Contrast-enhanced abdominal CT, axial slice 361 of 787 (counted from the lowest slice); tube voltage 140 kVp, convolution kernel I30f; slices 1.00 mm thick, 0.910 mm per pixel.
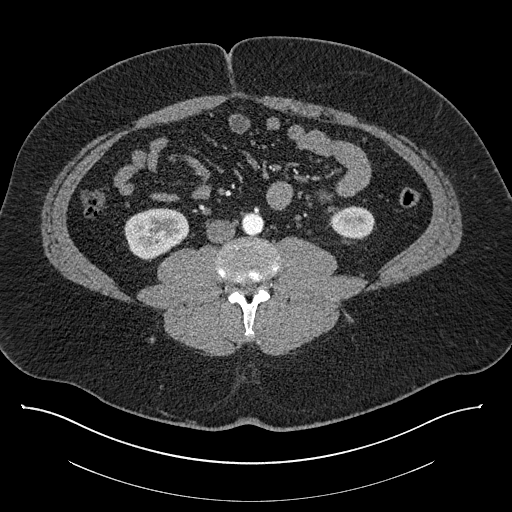
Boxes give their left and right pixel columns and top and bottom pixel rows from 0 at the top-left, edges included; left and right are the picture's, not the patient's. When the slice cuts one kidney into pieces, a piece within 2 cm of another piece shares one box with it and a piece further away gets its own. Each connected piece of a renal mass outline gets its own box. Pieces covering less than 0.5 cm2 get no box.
Boxed on this slice (two kidney boxes), listed by box centre from the image's left to its right: (1) Right kidney, the box with left 124, top 208, right 189, bottom 259 (outlined area 2,546 px, about 21.1 cm2). (2) Left kidney in the box with left 329, top 206, right 374, bottom 238 (outlined area 1,202 px, about 10.0 cm2). This slice carries no renal mass outline.